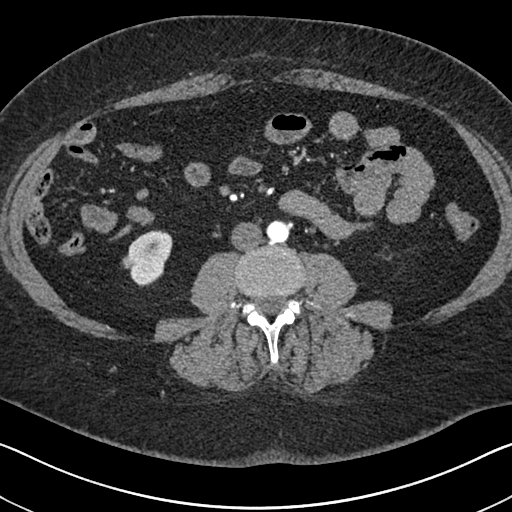
Abdominal CT with intravenous contrast, arterial phase, axial plane, 140 kVp, kernel I30f. Slice 286/591 from the bottom of the scan; thickness 1.00 mm; pixel size 0.703 mm.
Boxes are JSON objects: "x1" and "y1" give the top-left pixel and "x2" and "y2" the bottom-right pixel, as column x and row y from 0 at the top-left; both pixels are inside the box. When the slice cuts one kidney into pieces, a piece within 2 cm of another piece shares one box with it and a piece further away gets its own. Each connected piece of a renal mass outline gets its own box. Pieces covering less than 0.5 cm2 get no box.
Right kidney, box {"x1": 121, "y1": 230, "x2": 172, "y2": 286} (outlined area 1,972 px, about 9.7 cm2). This slice carries no renal mass outline.